Axial slice 244 of 548 of a contrast-enhanced abdominal CT in the arterial phase (slice 1 is the lowest), 120 kVp, kernel I26f; 1.00 mm slice thickness and 0.852 mm pixels.
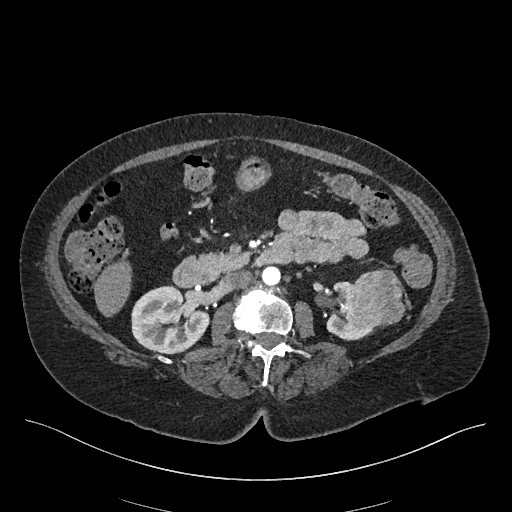
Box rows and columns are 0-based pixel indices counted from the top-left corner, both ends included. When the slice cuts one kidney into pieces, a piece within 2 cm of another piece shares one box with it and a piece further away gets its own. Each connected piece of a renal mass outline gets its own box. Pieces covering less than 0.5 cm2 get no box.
Two kidney boxes and one renal mass box on this slice; by box centre, from the image's left to its right: (1) Right kidney, box rows 285–354, columns 131–209 (outlined area 4,072 px, about 29.5 cm2). (2) Box rows 281–340, columns 326–375: left kidney (outlined area 1,174 px, about 8.5 cm2). (3) Box rows 268–329, columns 339–406: left renal mass (outlined area 2,972 px, about 21.6 cm2).